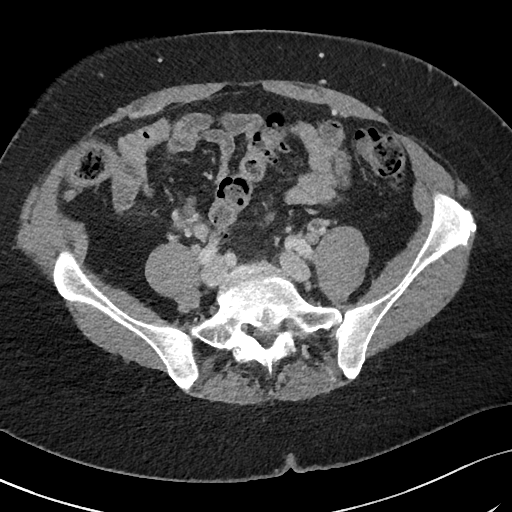
Arterial-phase contrast-enhanced abdominal CT, axial slice 11 of 69 (counted from the lowest slice); tube voltage 120 kVp, convolution kernel I40f; slices 3.00 mm thick, 0.664 mm per pixel.
This slice carries no outline: it lies beyond the outlined kidneys and beyond every outlined renal mass. Other organs are not outlined in this scan.